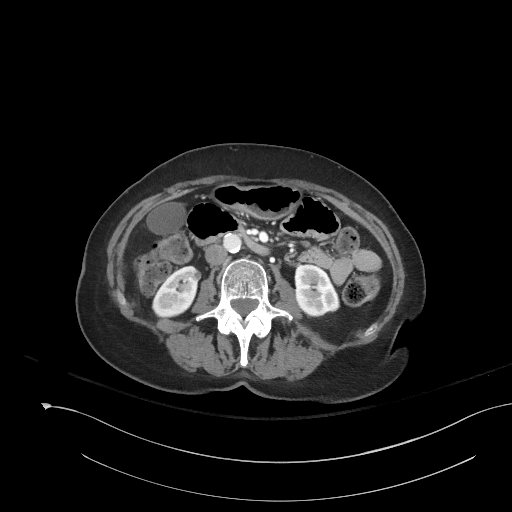
Axial slice 88 of 153 of a contrast-enhanced abdominal CT (slice 1 is the lowest), 120 kVp, kernel I41f; 3.00 mm slice thickness and 0.893 mm pixels.
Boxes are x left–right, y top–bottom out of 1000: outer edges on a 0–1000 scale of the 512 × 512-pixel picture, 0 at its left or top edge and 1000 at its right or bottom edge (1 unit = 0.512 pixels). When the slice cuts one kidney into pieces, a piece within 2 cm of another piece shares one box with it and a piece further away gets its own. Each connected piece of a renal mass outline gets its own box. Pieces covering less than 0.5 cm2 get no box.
Two kidney boxes on this slice; by box centre, from the image's left to its right: (1) Box x 295–395, y 520–621 out of 1000: right kidney (outlined area 1,733 px, about 13.8 cm2). (2) Box x 574–664, y 518–621 out of 1000: left kidney (outlined area 1,806 px, about 14.4 cm2). This slice carries no renal mass outline.